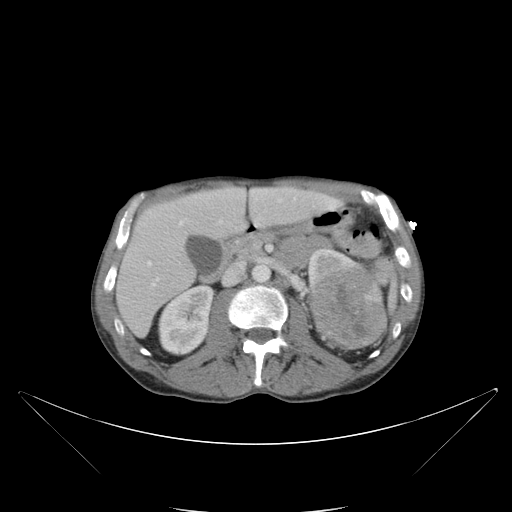
Axial slice 60 of 88 of a contrast-enhanced abdominal CT (slice 1 is the lowest), 120 kVp, kernel B; 5.00 mm slice thickness and 0.865 mm pixels.
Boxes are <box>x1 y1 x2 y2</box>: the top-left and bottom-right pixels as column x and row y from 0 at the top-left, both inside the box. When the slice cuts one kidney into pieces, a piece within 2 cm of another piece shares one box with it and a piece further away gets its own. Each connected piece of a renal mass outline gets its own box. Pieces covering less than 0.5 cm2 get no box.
Two kidney boxes and one renal mass box on this slice; by box centre, from the image's left to its right: (1) Right kidney at <box>157 283 215 355</box> (outlined area 2,932 px, about 21.9 cm2). (2) Left kidney at <box>307 248 358 286</box> (outlined area 1,031 px, about 7.7 cm2). (3) Left renal mass at <box>306 264 386 349</box> (outlined area 5,210 px, about 39.0 cm2).